Arterial-phase contrast-enhanced abdominal CT, axial slice 236 of 274 (counted from the lowest slice); tube voltage 120 kVp, convolution kernel B30f; slices 2.00 mm thick, 0.809 mm per pixel.
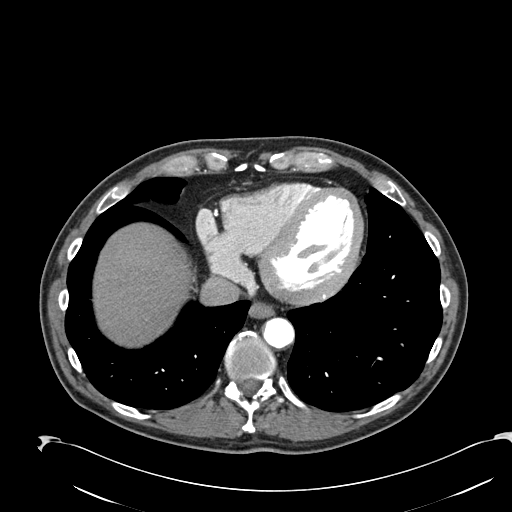
Neither a kidney nor a renal mass is outlined here. Only kidneys and renal masses are outlined anywhere in this scan; other structures are never outlined.